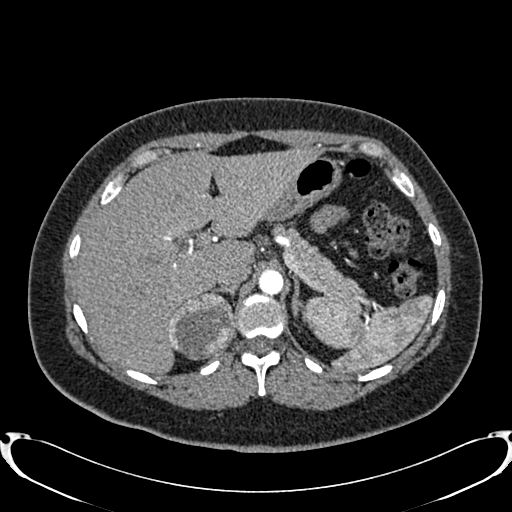
Axial slice 599 of 719 of a contrast-enhanced abdominal CT in the arterial phase (slice 1 is the lowest), 120 kVp, kernel B20f; 1.00 mm slice thickness and 0.766 mm pixels.
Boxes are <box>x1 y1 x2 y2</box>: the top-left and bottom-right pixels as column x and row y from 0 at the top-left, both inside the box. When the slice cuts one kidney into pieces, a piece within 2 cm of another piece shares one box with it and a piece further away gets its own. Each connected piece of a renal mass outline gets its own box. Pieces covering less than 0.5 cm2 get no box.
Right renal mass: <box>168 292 235 359</box> (outlined area 3,456 px, about 20.3 cm2); no kidney outline appears on this slice, but the same outlined renal mass comes within 1 cm of the kidney on another slice.